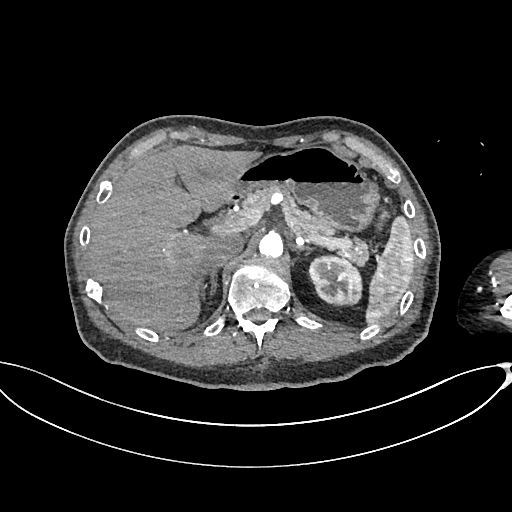
Arterial-phase contrast-enhanced abdominal CT, axial slice 487 of 665 (counted from the lowest slice); tube voltage 100 kVp, convolution kernel I26f; slices 1.00 mm thick, 0.828 mm per pixel.
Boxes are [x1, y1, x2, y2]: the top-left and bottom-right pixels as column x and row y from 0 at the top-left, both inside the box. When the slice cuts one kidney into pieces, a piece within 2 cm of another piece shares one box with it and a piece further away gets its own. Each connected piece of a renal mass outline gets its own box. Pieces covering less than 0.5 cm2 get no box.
Box [308, 254, 362, 306]: left kidney (outlined area 2,218 px, about 15.2 cm2). No renal mass outline on this slice.